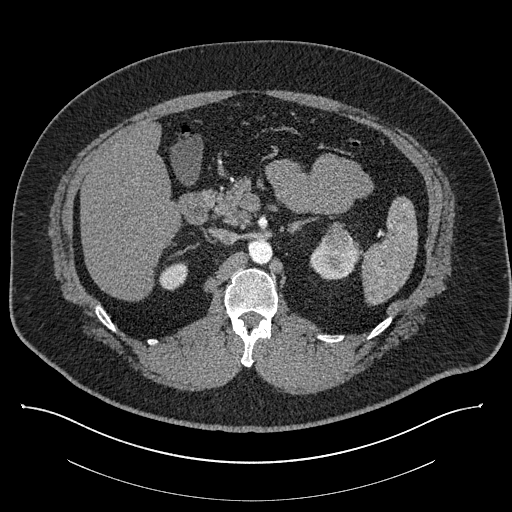
One axial slice (547 of 787, counting up from the lowest) of a contrast-enhanced abdominal CT acquired with 140 kVp, kernel I30f; each pixel is 0.910 mm and the slice is 1.00 mm thick.
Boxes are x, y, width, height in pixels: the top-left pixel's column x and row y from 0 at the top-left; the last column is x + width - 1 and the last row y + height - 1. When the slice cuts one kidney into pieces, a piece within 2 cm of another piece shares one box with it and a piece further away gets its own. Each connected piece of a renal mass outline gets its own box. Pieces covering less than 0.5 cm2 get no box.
Two kidney boxes and one renal mass box on this slice; by box centre, from the image's left to its right: (1) Right kidney at x 159, y 262, width 30, height 30 (outlined area 630 px, about 5.2 cm2). (2) Left kidney at x 309, y 240, width 50, height 40 (outlined area 1,305 px, about 10.8 cm2). (3) Left renal mass at x 321, y 226, width 32, height 28 (outlined area 625 px, about 5.2 cm2).